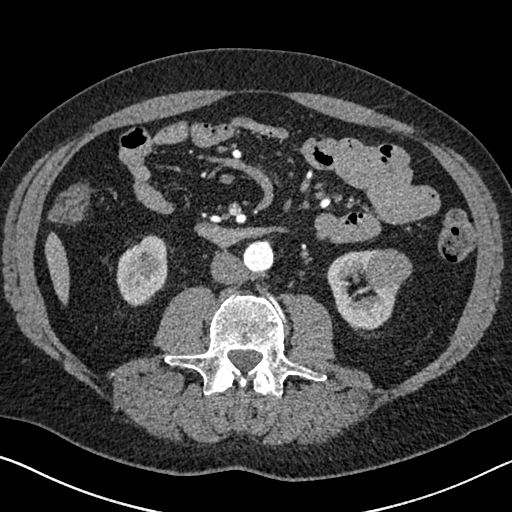
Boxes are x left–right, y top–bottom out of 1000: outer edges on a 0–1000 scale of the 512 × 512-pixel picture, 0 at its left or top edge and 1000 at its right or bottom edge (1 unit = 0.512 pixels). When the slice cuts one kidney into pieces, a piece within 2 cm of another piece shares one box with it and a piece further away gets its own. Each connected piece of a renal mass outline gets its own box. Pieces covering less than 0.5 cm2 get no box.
Slice 317/626 of a contrast-enhanced abdominal CT in the arterial phase, counting up from the lowest; pixel size 0.703 mm, slice thickness 1.00 mm. Two kidney boxes and one renal mass box on this slice; by box centre, from the image's left to its right: (1) Right kidney at x 227–328, y 457–598 out of 1000 (outlined area 2,753 px, about 13.6 cm2). (2) Left kidney at x 637–781, y 486–646 out of 1000 (outlined area 3,295 px, about 16.3 cm2). (3) Left renal mass, box x 713–807, y 486–566 out of 1000 (outlined area 1,530 px, about 7.6 cm2).
Acquired at 120 kVp and reconstructed with the I30f kernel.